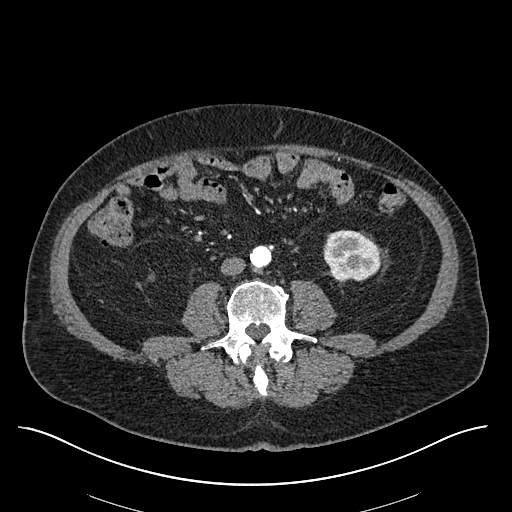
Abdominal CT with intravenous contrast, arterial phase, axial plane, 120 kVp, kernel I30f. Slice 227/670 from the bottom of the scan; thickness 1.00 mm; pixel size 0.861 mm.
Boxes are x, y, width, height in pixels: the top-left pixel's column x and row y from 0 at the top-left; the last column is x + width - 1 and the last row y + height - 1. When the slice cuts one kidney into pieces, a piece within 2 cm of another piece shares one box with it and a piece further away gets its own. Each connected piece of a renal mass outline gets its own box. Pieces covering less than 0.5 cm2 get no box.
Left kidney, box x 323, y 230, width 58, height 51 (outlined area 2,370 px, about 17.6 cm2). No renal mass is outlined on this slice.